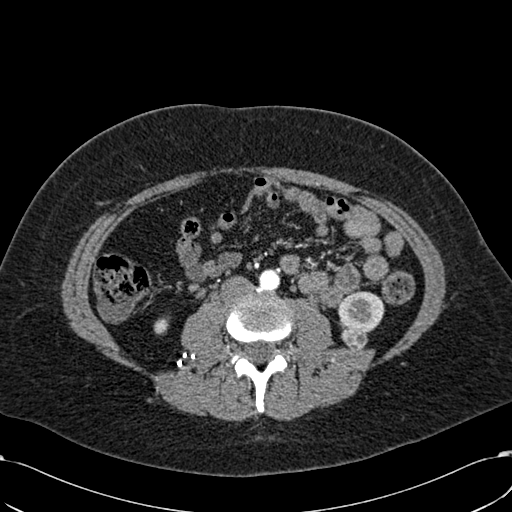
Abdominal CT with intravenous contrast, arterial phase, axial plane, 120 kVp, kernel B30f. Slice 266/532 from the bottom of the scan; thickness 1.00 mm; pixel size 0.713 mm.
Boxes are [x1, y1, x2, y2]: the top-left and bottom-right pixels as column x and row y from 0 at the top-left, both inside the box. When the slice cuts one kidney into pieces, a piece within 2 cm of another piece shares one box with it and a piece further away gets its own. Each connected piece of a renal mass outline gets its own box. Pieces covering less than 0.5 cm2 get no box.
Two kidney boxes and one renal mass box on this slice; by box centre, from the image's left to its right: (1) Right kidney, box [154, 317, 169, 334] (outlined area 210 px, about 1.1 cm2). (2) Left renal mass, box [341, 327, 367, 349] (outlined area 468 px, about 2.4 cm2). (3) Left kidney, box [337, 290, 384, 332] (outlined area 1,531 px, about 7.8 cm2).